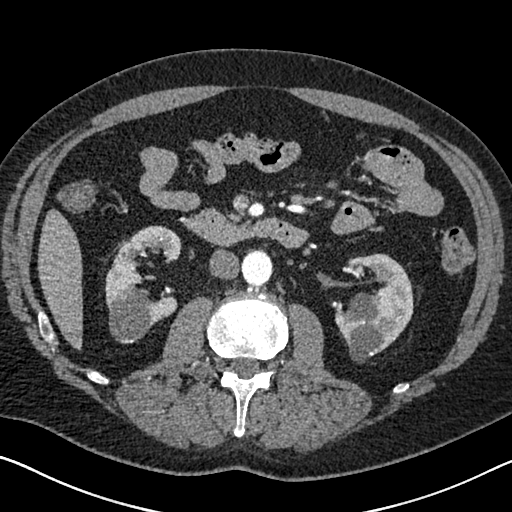
One axial slice (358 of 626, counting up from the lowest) of an arterial-phase abdominal CT acquired with 120 kVp, kernel I30f; each pixel is 0.703 mm and the slice is 1.00 mm thick.
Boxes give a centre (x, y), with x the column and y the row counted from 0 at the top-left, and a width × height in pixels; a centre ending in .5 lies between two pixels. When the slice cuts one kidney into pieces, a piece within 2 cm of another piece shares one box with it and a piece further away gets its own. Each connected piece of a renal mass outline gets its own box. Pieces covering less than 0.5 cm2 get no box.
Two boxes on this slice (two kidney boxes), listed by box centre from the image's left to its right. (1) Box centre (143, 283.5), 77 × 118 pixels: right kidney (outlined area 5,456 px, about 27.0 cm2). (2) Left kidney, box centre (374, 308), 79 × 111 pixels (outlined area 5,618 px, about 27.8 cm2). No renal mass is outlined on this slice.